Abdominal CT with intravenous contrast, arterial phase, axial plane, 120 kVp, kernel STANDARD. Slice 233/349 from the bottom of the scan; thickness 1.25 mm; pixel size 0.742 mm.
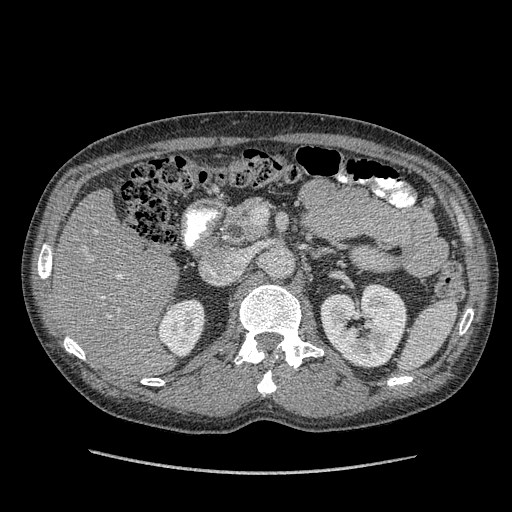
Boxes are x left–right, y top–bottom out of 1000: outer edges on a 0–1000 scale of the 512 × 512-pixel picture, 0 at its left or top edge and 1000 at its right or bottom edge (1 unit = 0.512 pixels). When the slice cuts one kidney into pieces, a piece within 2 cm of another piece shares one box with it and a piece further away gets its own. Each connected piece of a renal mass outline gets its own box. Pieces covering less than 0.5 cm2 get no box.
Two boxes on this slice (two kidney boxes), listed by box centre from the image's left to its right. (1) Right kidney, box x 305–404, y 584–697 out of 1000 (outlined area 2,131 px, about 11.7 cm2). (2) Left kidney, box x 625–797, y 553–721 out of 1000 (outlined area 5,540 px, about 30.5 cm2). No renal mass is outlined on this slice.